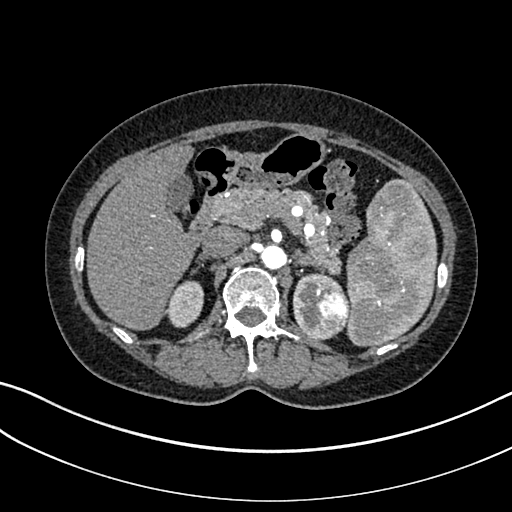
One axial slice (220 of 325, counting up from the lowest) of an arterial-phase abdominal CT acquired with 100 kVp, kernel I30f; each pixel is 0.703 mm and the slice is 1.00 mm thick.
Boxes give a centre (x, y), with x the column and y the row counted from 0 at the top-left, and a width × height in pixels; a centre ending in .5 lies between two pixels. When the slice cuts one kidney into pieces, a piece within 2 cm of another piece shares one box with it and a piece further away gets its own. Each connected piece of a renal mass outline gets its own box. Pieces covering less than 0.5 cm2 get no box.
Two kidney boxes and one renal mass box on this slice; by box centre, from the image's left to its right: (1) Box centre (185.5, 303.5), 38 × 48 pixels: right kidney (outlined area 1,363 px, about 6.7 cm2). (2) Left kidney in a box with centre (317, 306.5), 51 × 68 pixels (outlined area 1,723 px, about 8.5 cm2). (3) Left renal mass, box centre (332, 310.5), 37 × 46 pixels (outlined area 1,304 px, about 6.4 cm2).